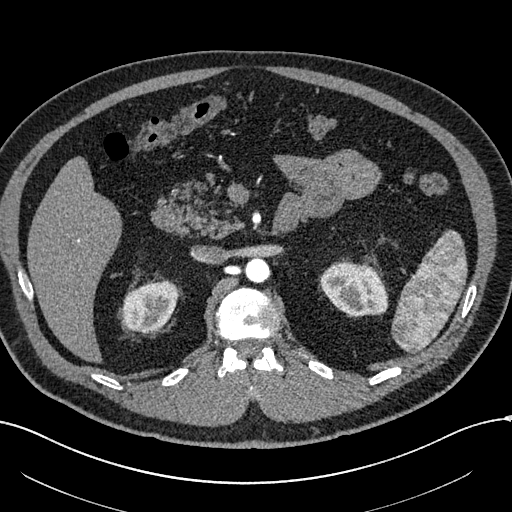
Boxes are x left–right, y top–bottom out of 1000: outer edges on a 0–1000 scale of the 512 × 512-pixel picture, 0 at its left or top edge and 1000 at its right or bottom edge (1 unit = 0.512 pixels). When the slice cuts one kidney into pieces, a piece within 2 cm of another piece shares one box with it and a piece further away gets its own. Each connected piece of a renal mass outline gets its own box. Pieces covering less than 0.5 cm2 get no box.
Slice 397/602 of a contrast-enhanced abdominal CT in the arterial phase, counting up from the lowest; pixel size 0.799 mm, slice thickness 1.00 mm. Boxed on this slice (two kidney boxes), listed by box centre from the image's left to its right: (1) Right kidney, box x 238–350, y 549–650 out of 1000 (outlined area 2,264 px, about 14.4 cm2). (2) Left kidney at x 623–760, y 510–621 out of 1000 (outlined area 2,909 px, about 18.6 cm2). No renal mass outline on this slice.
Tube voltage 120 kVp; convolution kernel I30f.